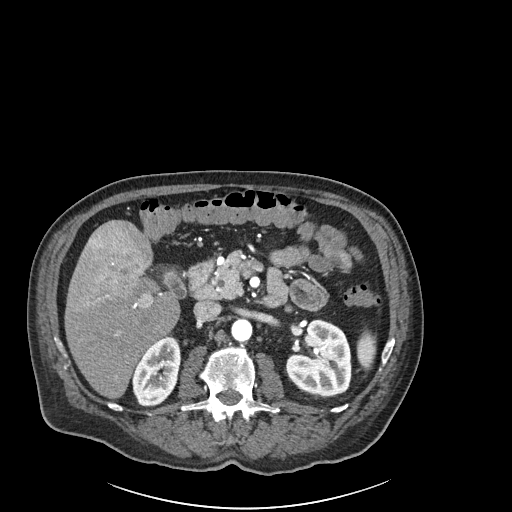
Axial slice 119 of 261 of a contrast-enhanced abdominal CT in the arterial phase (slice 1 is the lowest), 120 kVp, kernel I30f; 2.00 mm slice thickness and 0.939 mm pixels.
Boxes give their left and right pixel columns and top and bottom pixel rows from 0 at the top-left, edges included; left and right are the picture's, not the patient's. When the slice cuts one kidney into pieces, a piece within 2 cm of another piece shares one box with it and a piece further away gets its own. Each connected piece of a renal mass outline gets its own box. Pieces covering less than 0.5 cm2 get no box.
Boxed on this slice (two kidney boxes), listed by box centre from the image's left to its right: (1) Box with left 131, top 335, right 181, bottom 407: right kidney (outlined area 2,551 px, about 22.5 cm2). (2) Box with left 285, top 319, right 351, bottom 395: left kidney (outlined area 3,915 px, about 34.6 cm2). No renal mass is outlined on this slice.